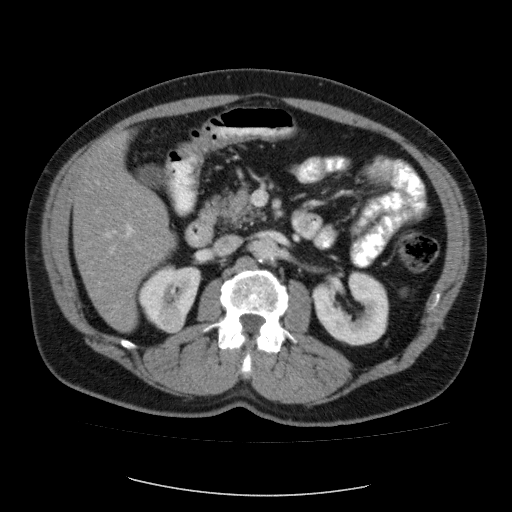
One axial slice (56 of 87, counting up from the lowest) of a contrast-enhanced abdominal CT acquired with 120 kVp, kernel FC12; each pixel is 0.812 mm and the slice is 5.00 mm thick.
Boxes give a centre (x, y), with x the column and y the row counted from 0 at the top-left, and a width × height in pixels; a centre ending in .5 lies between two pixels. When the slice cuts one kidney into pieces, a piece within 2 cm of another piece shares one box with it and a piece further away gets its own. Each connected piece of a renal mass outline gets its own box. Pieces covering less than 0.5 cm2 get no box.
Two kidney boxes and one renal mass box on this slice; by box centre, from the image's left to its right: (1) Right kidney, box centre (169.5, 294.5), 64 × 62 pixels (outlined area 2,437 px, about 16.1 cm2). (2) Right renal mass, box centre (170, 318), 29 × 31 pixels (outlined area 674 px, about 4.4 cm2). (3) Left kidney in a box with centre (350, 308), 77 × 75 pixels (outlined area 4,037 px, about 26.6 cm2).